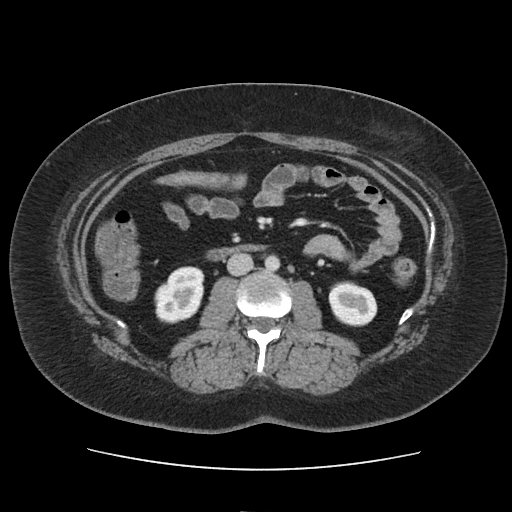
One axial slice (61 of 103, counting up from the lowest) of an arterial-phase abdominal CT acquired with 120 kVp, kernel FC19; each pixel is 0.873 mm and the slice is 5.00 mm thick.
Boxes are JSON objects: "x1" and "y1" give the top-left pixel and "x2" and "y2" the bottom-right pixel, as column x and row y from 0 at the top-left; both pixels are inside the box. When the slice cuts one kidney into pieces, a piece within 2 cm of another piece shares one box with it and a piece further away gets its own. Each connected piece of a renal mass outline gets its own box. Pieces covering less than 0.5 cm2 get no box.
Boxed on this slice (two kidney boxes), listed by box centre from the image's left to its right: (1) Box {"x1": 154, "y1": 266, "x2": 204, "y2": 323}: right kidney (outlined area 2,236 px, about 17.0 cm2). (2) Left kidney at {"x1": 328, "y1": 283, "x2": 377, "y2": 326} (outlined area 1,710 px, about 13.0 cm2). No renal mass is outlined on this slice.